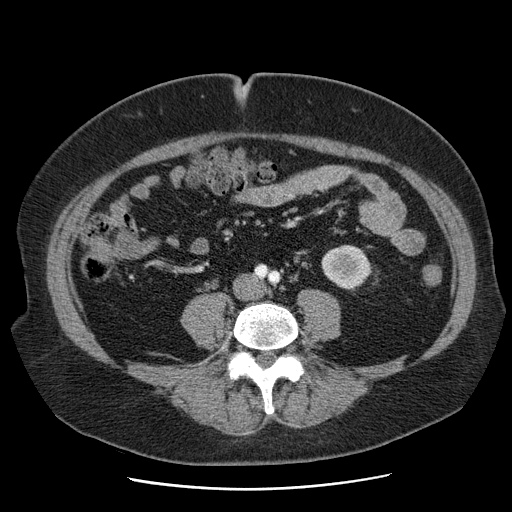
Contrast-enhanced abdominal CT, axial slice 13 of 103 (counted from the lowest slice); tube voltage 120 kVp, convolution kernel STANDARD; slices 2.50 mm thick, 0.736 mm per pixel.
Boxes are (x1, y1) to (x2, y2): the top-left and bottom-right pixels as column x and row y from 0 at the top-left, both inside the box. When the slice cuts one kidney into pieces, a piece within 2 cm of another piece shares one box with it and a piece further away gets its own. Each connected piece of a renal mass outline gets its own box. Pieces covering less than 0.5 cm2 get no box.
Left kidney, box (321, 244) to (371, 291) (outlined area 1,728 px, about 9.4 cm2). No renal mass outline on this slice.